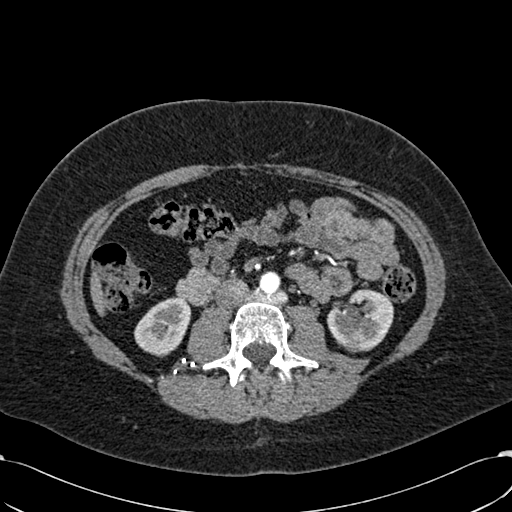
One axial slice (297 of 532, counting up from the lowest) of an arterial-phase abdominal CT acquired with 120 kVp, kernel B30f; each pixel is 0.713 mm and the slice is 1.00 mm thick.
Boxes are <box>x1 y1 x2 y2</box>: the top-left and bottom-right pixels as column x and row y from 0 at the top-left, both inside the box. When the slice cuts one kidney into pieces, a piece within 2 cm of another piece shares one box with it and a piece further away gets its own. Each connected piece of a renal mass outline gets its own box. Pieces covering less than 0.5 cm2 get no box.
Two kidney boxes on this slice; by box centre, from the image's left to its right: (1) Right kidney at <box>134 297 190 357</box> (outlined area 2,422 px, about 12.3 cm2). (2) At <box>327 289 393 352</box>: left kidney (outlined area 3,053 px, about 15.5 cm2).